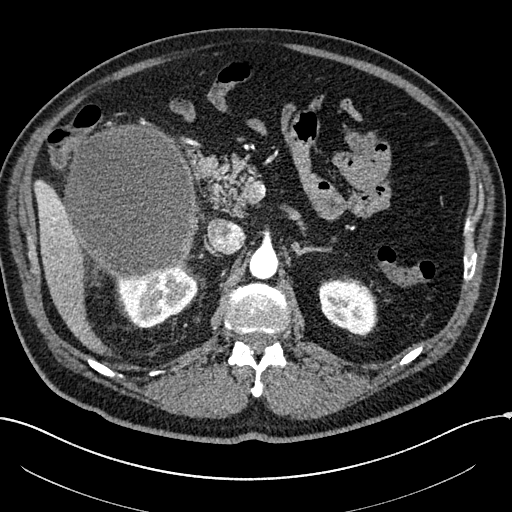
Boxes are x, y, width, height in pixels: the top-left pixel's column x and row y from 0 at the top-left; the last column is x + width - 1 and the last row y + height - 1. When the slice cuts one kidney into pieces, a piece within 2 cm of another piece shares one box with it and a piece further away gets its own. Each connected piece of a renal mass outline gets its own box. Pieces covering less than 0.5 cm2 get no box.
Arterial-phase contrast-enhanced abdominal CT, axial slice 150 of 304 (counted from the lowest slice); 2.00 mm thick, 0.809 mm per pixel. Boxed on this slice (two kidney boxes and one renal mass box), listed by box centre from the image's left to its right: (1) Box x 62, y 124, width 137, height 157: right renal mass (outlined area 16,733 px, about 109.4 cm2). (2) Box x 118, y 266, width 81, height 63: right kidney (outlined area 3,343 px, about 21.9 cm2). (3) Left kidney at x 319, y 280, width 59, height 56 (outlined area 2,511 px, about 16.4 cm2).
Tube voltage 100 kVp; convolution kernel I30f.